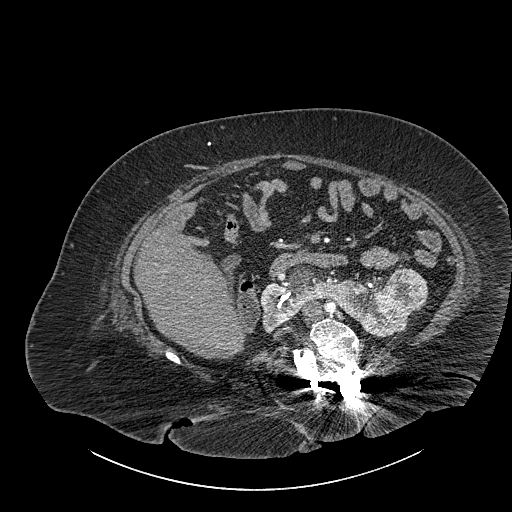
One axial slice (506 of 834, counting up from the lowest) of a contrast-enhanced abdominal CT acquired with 140 kVp, kernel I30f; each pixel is 0.977 mm and the slice is 1.00 mm thick.
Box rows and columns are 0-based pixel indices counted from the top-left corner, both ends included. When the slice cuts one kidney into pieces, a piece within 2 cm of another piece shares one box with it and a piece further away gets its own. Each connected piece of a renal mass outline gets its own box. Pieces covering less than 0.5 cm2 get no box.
One kidney box and one renal mass box on this slice; by box centre, from the image's left to its right: (1) Kidney crossing the body midline, box rows 264–337, columns 259–409 (outlined area 5,466 px, about 52.1 cm2). (2) Renal mass at rows 269–315, columns 385–428 (outlined area 1,646 px, about 15.7 cm2).